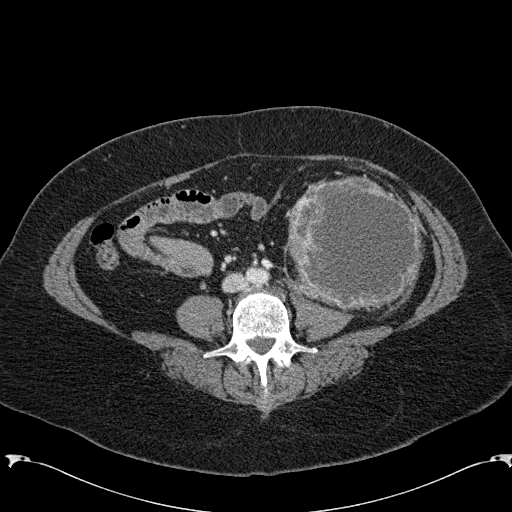
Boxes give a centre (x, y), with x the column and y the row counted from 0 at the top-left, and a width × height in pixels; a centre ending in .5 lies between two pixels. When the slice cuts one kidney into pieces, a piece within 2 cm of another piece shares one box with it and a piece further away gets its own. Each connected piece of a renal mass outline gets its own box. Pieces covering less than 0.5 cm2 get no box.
Arterial-phase contrast-enhanced abdominal CT, axial slice 51 of 285 (counted from the lowest slice); 2.00 mm thick, 0.762 mm per pixel. Left renal mass, box centre (355.5, 243.5), 136 × 136 pixels (outlined area 14,533 px, about 84.3 cm2); no kidney is outlined on this slice, but the same outlined renal mass comes within 1 cm of the kidney on another slice.
Tube voltage 120 kVp; convolution kernel B31f.